One axial slice (76 of 285, counting up from the lowest) of an arterial-phase abdominal CT acquired with 120 kVp, kernel B31f; each pixel is 0.762 mm and the slice is 2.00 mm thick.
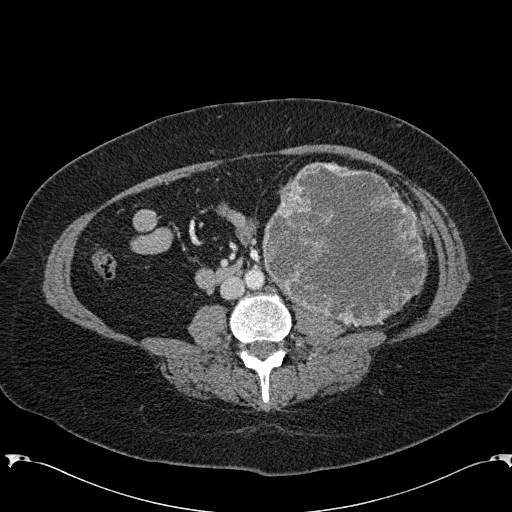
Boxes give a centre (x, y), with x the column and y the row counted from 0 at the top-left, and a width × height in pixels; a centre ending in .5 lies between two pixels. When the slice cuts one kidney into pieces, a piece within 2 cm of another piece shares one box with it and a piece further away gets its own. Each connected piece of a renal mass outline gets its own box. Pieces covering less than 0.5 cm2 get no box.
Box centre (344.5, 244.5), 166 × 166 pixels: left renal mass (outlined area 20,574 px, about 119.4 cm2); no kidney outline appears on this slice, but the same outlined renal mass comes within 1 cm of the kidney on another slice.